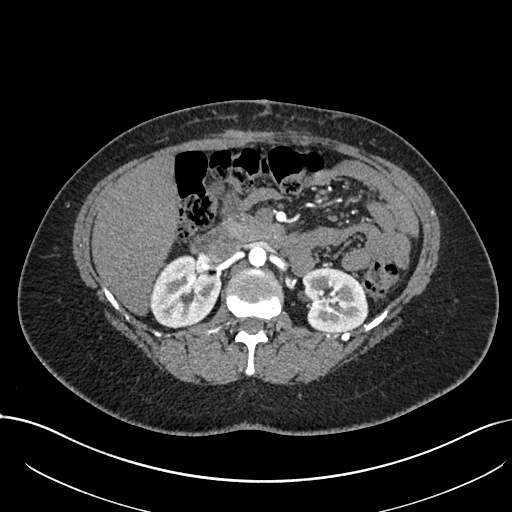
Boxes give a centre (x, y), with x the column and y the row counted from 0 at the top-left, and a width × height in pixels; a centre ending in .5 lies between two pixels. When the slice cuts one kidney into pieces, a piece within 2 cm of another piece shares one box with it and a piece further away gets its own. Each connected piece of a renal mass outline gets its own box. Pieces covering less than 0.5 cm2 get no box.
This is axial slice 442 of 738 (slice 1 is the lowest) of an arterial-phase abdominal CT with contrast; each pixel is 0.789 mm and the slice is 1.00 mm thick. Boxed on this slice (two kidney boxes), listed by box centre from the image's left to its right: (1) Box centre (185, 291), 71 × 73 pixels: right kidney (outlined area 3,883 px, about 24.2 cm2). (2) Left kidney, box centre (334.5, 300), 66 × 65 pixels (outlined area 3,500 px, about 21.8 cm2). No renal mass outline on this slice.
Scan settings: 120 kVp, I30f reconstruction kernel.